Arterial-phase contrast-enhanced abdominal CT, axial slice 449 of 626 (counted from the lowest slice); tube voltage 120 kVp, convolution kernel I30f; slices 1.00 mm thick, 0.703 mm per pixel.
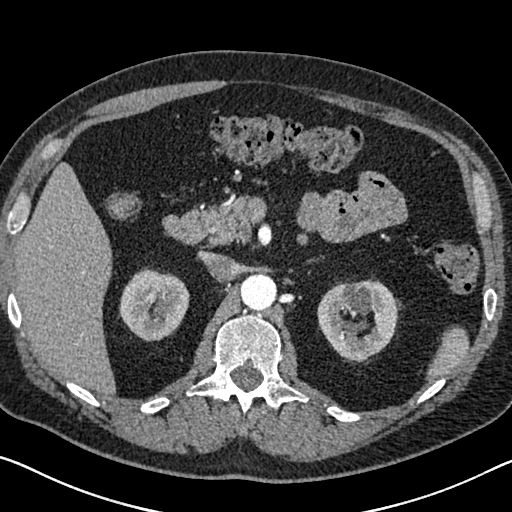
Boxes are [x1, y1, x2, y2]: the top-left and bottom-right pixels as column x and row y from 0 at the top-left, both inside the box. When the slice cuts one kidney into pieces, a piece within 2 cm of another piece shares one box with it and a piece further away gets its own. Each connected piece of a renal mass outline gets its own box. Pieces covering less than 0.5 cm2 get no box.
Two boxes on this slice (two kidney boxes), listed by box centre from the image's left to its right. (1) Box [119, 267, 189, 340]: right kidney (outlined area 3,860 px, about 19.1 cm2). (2) Box [317, 279, 398, 361]: left kidney (outlined area 4,885 px, about 24.2 cm2). No renal mass is outlined on this slice.